Arterial-phase contrast-enhanced abdominal CT, axial slice 226 of 581 (counted from the lowest slice); tube voltage 120 kVp, convolution kernel B30f; slices 1.00 mm thick, 0.713 mm per pixel.
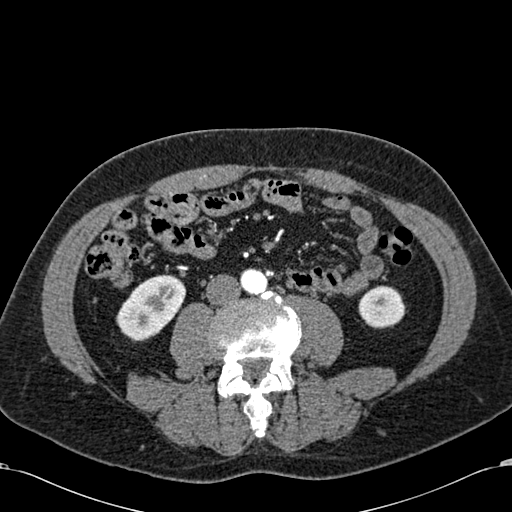
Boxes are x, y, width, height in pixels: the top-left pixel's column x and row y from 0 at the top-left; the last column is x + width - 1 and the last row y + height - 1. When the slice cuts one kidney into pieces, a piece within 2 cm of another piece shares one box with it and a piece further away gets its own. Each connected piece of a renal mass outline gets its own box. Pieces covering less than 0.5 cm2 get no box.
Two kidney boxes on this slice; by box centre, from the image's left to its right: (1) Right kidney at x 116, y 274, width 71, height 68 (outlined area 3,146 px, about 16.0 cm2). (2) Box x 358, y 285, width 48, height 44: left kidney (outlined area 1,607 px, about 8.2 cm2). No renal mass outline on this slice.